Abdominal CT with intravenous contrast, arterial phase, axial plane, 120 kVp, kernel I30f. Slice 392/612 from the bottom of the scan; thickness 1.00 mm; pixel size 0.703 mm.
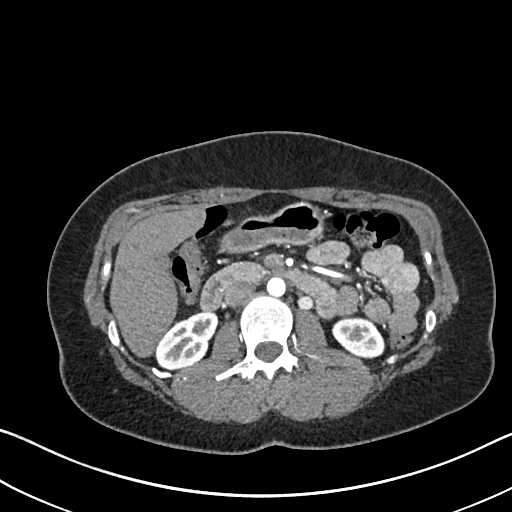
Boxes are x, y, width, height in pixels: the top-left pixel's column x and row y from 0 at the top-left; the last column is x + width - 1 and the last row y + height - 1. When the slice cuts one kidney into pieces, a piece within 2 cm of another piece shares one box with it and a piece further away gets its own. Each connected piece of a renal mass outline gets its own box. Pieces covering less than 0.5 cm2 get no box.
Boxed on this slice (two kidney boxes), listed by box centre from the image's left to its right: (1) Right kidney, box x 157, y 311, width 62, height 60 (outlined area 2,404 px, about 11.9 cm2). (2) Left kidney, box x 333, y 317, width 52, height 42 (outlined area 1,625 px, about 8.0 cm2). No renal mass outline on this slice.